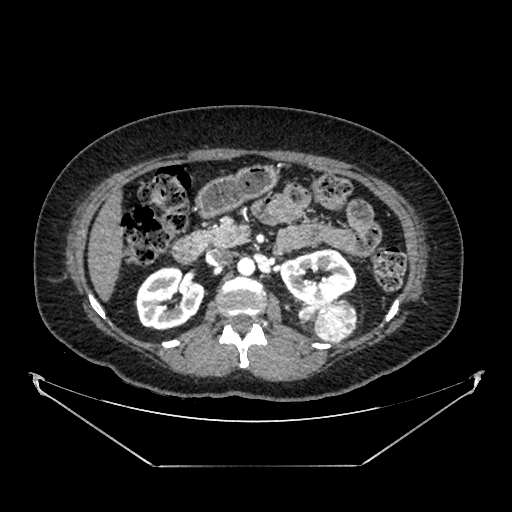
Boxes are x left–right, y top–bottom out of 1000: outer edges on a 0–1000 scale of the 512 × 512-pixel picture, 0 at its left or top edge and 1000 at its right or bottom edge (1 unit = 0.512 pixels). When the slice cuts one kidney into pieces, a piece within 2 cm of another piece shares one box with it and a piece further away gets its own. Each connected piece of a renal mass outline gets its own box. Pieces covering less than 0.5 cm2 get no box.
Slice 238/383 of a contrast-enhanced abdominal CT in the arterial phase, counting up from the lowest; pixel size 0.898 mm, slice thickness 1.25 mm. Four boxes on this slice (two kidney boxes and two renal mass boxes), listed by box centre from the image's left to its right. (1) Right kidney at x 262–402, y 520–646 out of 1000 (outlined area 3,354 px, about 27.1 cm2). (2) Left renal mass, box x 582–617, y 598–627 out of 1000 (outlined area 173 px, about 1.4 cm2). (3) Left kidney at x 547–697, y 484–594 out of 1000 (outlined area 3,082 px, about 24.9 cm2). (4) Box x 609–697, y 590–672 out of 1000: left renal mass (outlined area 1,353 px, about 10.9 cm2).
Scan settings: 100 kVp, SOFT reconstruction kernel.